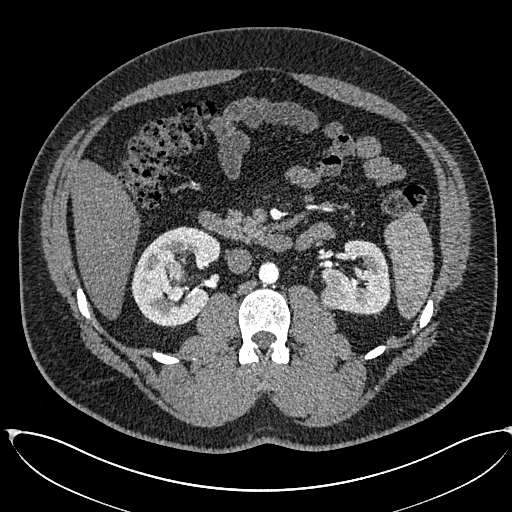
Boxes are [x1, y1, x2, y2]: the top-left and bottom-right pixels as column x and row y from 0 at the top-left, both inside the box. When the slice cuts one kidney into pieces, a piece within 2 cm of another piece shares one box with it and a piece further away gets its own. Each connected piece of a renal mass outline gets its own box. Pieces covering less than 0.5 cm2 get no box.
Arterial-phase contrast-enhanced abdominal CT, axial slice 343 of 673 (counted from the lowest slice); 1.00 mm thick, 0.855 mm per pixel. Five boxes on this slice (two kidney boxes and three renal mass boxes), listed by box centre from the image's left to its right. (1) Right kidney, box [131, 226, 220, 326] (outlined area 5,827 px, about 42.6 cm2). (2) Right renal mass at [167, 263, 186, 283] (outlined area 329 px, about 2.4 cm2). (3) Right renal mass, box [167, 284, 187, 301] (outlined area 263 px, about 1.9 cm2). (4) Left renal mass at [319, 284, 348, 309] (outlined area 584 px, about 4.3 cm2). (5) Left kidney, box [321, 240, 390, 314] (outlined area 3,437 px, about 25.2 cm2).
Scan settings: 120 kVp, I30f reconstruction kernel.